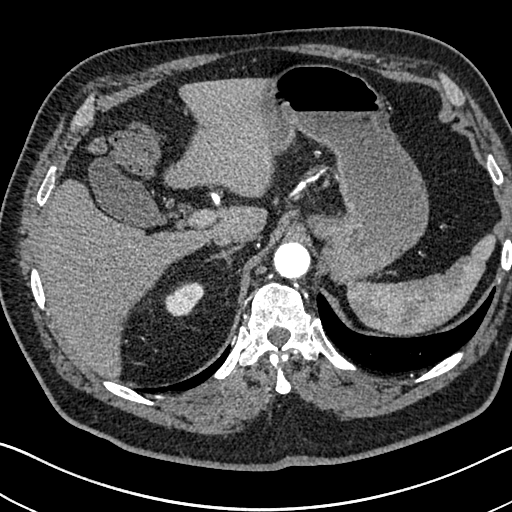
Arterial-phase contrast-enhanced abdominal CT, axial slice 556 of 705 (counted from the lowest slice); tube voltage 120 kVp, convolution kernel I30f; slices 1.00 mm thick, 0.703 mm per pixel.
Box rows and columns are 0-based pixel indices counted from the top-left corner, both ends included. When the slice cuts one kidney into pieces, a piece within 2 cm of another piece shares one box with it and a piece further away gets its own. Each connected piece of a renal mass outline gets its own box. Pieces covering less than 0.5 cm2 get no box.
Box rows 282–316, columns 164–204: right kidney (outlined area 997 px, about 4.9 cm2). No renal mass is outlined on this slice.